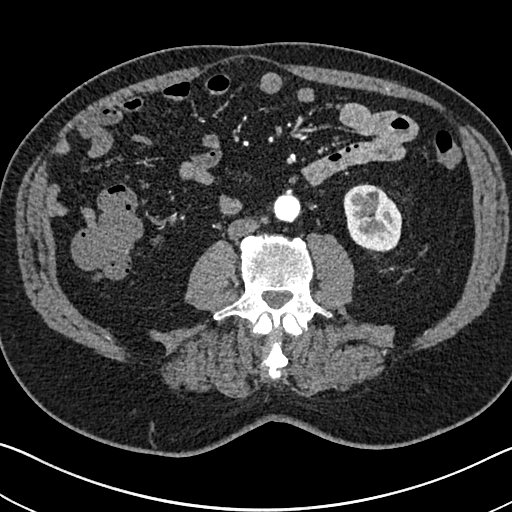
Axial slice 306 of 705 of a contrast-enhanced abdominal CT in the arterial phase (slice 1 is the lowest), 120 kVp, kernel I30f; 1.00 mm slice thickness and 0.703 mm pixels.
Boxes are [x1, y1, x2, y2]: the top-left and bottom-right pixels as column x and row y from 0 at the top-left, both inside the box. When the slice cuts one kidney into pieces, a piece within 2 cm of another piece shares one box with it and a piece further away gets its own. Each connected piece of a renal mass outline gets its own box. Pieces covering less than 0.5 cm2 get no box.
Box [343, 183, 402, 252]: left kidney (outlined area 3,149 px, about 15.6 cm2). This slice carries no renal mass outline.